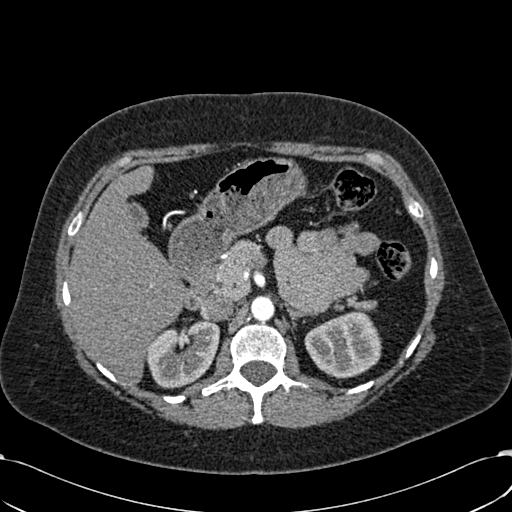
One axial slice (414 of 532, counting up from the lowest) of an arterial-phase abdominal CT acquired with 120 kVp, kernel B30f; each pixel is 0.713 mm and the slice is 1.00 mm thick.
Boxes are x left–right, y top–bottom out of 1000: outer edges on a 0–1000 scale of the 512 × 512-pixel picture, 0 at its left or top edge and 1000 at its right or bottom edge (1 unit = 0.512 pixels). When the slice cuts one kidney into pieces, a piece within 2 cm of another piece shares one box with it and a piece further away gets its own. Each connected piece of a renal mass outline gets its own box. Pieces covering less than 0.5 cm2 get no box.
Two boxes on this slice (two kidney boxes), listed by box centre from the image's left to its right. (1) Right kidney, box x 285–430, y 623–760 out of 1000 (outlined area 3,680 px, about 18.7 cm2). (2) Left kidney at x 594–746, y 605–740 out of 1000 (outlined area 3,867 px, about 19.7 cm2). No renal mass is outlined on this slice.